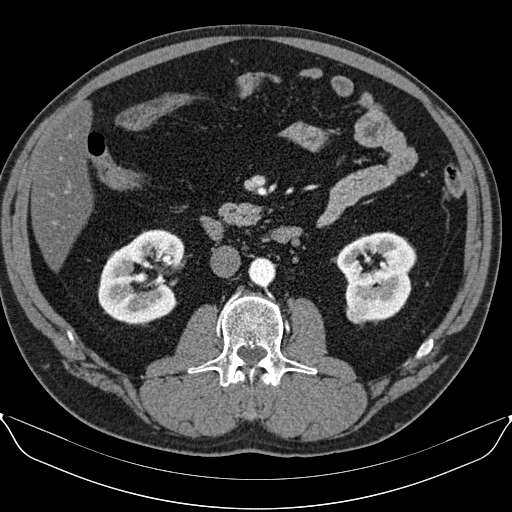
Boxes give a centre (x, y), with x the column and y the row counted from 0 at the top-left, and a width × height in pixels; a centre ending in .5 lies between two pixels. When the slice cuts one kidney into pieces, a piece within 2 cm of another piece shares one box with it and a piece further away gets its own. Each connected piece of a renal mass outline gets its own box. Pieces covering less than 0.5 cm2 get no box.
Slice 43/96 of a contrast-enhanced abdominal CT in the arterial phase, counting up from the lowest; pixel size 0.781 mm, slice thickness 3.00 mm. Three boxes on this slice (two kidney boxes and one renal mass box), listed by box centre from the image's left to its right. (1) Right kidney, box centre (140.5, 277), 88 × 97 pixels (outlined area 5,958 px, about 36.4 cm2). (2) Box centre (357, 311), 23 × 27 pixels: left renal mass (outlined area 489 px, about 3.0 cm2). (3) Left kidney in a box with centre (376.5, 276.5), 80 × 90 pixels (outlined area 4,901 px, about 29.9 cm2).
Tube voltage 130 kVp; convolution kernel B30s.